Abdominal CT with intravenous contrast, arterial phase, axial plane, 120 kVp, kernel B30f. Slice 398/538 from the bottom of the scan; thickness 1.00 mm; pixel size 0.811 mm.
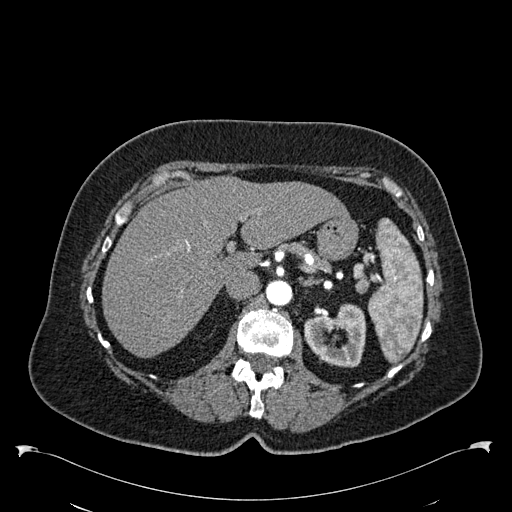
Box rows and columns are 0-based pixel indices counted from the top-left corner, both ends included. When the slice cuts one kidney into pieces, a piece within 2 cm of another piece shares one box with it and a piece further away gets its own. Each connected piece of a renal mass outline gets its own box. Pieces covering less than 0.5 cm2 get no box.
Left kidney, box rows 303–367, columns 304–366 (outlined area 2,738 px, about 18.0 cm2). No renal mass is outlined on this slice.